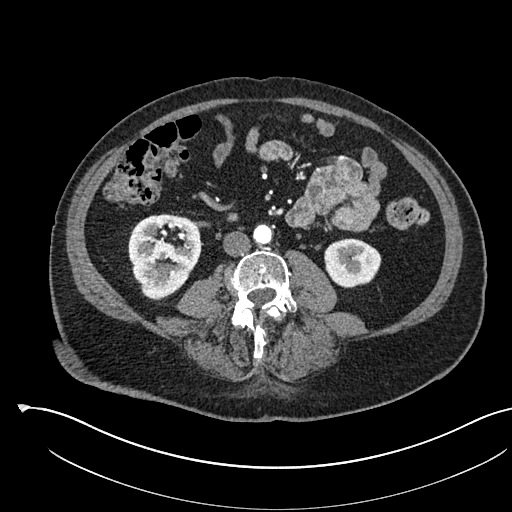
One axial slice (242 of 541, counting up from the lowest) of an arterial-phase abdominal CT acquired with 120 kVp, kernel I30f; each pixel is 0.834 mm and the slice is 1.00 mm thick.
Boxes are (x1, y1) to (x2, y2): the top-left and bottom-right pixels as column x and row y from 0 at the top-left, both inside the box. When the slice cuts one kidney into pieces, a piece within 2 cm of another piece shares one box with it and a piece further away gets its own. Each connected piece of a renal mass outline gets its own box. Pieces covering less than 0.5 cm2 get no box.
Two kidney boxes on this slice; by box centre, from the image's left to its right: (1) Right kidney, box (128, 213) to (200, 300) (outlined area 4,750 px, about 33.0 cm2). (2) Left kidney, box (324, 238) to (381, 287) (outlined area 2,246 px, about 15.6 cm2). No renal mass outline on this slice.